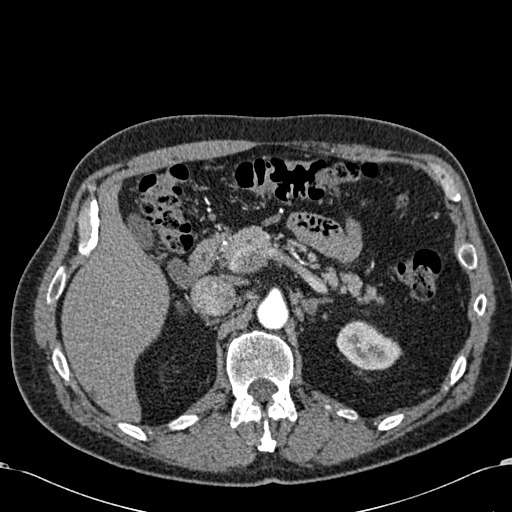
Arterial-phase contrast-enhanced abdominal CT, axial slice 430 of 581 (counted from the lowest slice); tube voltage 120 kVp, convolution kernel B30f; slices 1.00 mm thick, 0.713 mm per pixel.
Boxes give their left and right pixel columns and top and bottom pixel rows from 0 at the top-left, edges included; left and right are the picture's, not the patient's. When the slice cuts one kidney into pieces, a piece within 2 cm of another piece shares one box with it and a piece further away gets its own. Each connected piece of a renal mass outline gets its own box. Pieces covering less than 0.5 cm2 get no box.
Left kidney, the box with left 336, top 320, right 402, bottom 370 (outlined area 2,300 px, about 11.7 cm2). No renal mass is outlined on this slice.